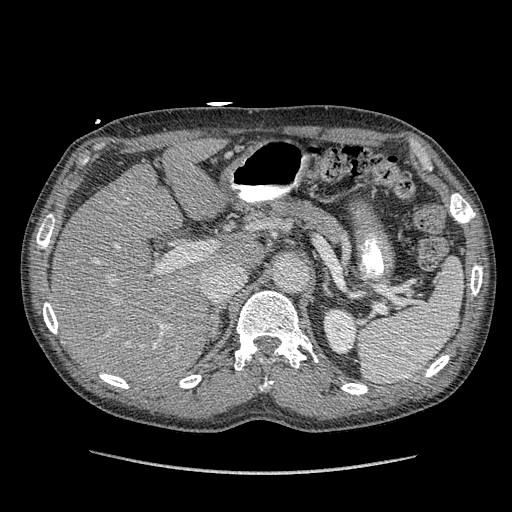
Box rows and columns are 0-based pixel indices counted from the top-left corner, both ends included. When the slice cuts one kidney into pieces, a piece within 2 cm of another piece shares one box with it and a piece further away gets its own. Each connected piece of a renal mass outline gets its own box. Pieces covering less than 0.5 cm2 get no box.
Arterial-phase contrast-enhanced abdominal CT, axial slice 258 of 349 (counted from the lowest slice); 1.25 mm thick, 0.742 mm per pixel. Left kidney, box rows 308–355, columns 323–357 (outlined area 1,313 px, about 7.2 cm2). No renal mass outline on this slice.
Tube voltage 120 kVp; convolution kernel STANDARD.